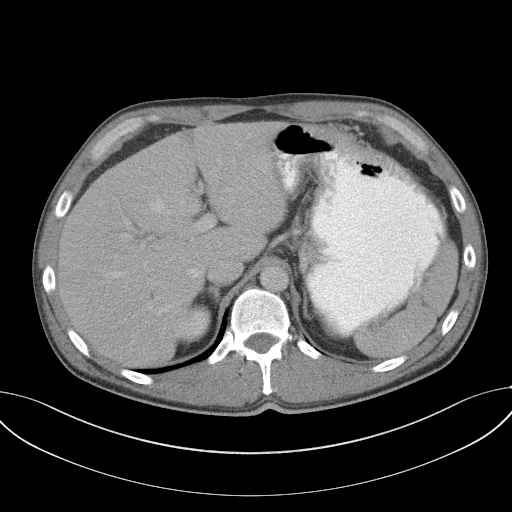
Contrast-enhanced abdominal CT, axial slice 79 of 102 (counted from the lowest slice); tube voltage 120 kVp, convolution kernel B41f; slices 5.00 mm thick, 0.807 mm per pixel.
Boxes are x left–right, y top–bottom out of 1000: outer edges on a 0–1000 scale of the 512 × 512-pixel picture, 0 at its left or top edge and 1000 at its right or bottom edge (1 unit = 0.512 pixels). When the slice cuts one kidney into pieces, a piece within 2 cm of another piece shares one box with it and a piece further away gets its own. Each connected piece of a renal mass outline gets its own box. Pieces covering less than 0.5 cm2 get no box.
Right kidney, box x 338–414, y 592–670 out of 1000 (outlined area 1,194 px, about 7.8 cm2). No renal mass outline on this slice.